Arterial-phase contrast-enhanced abdominal CT, axial slice 127 of 302 (counted from the lowest slice); tube voltage 100 kVp, convolution kernel I30f; slices 5.00 mm thick, 0.875 mm per pixel.
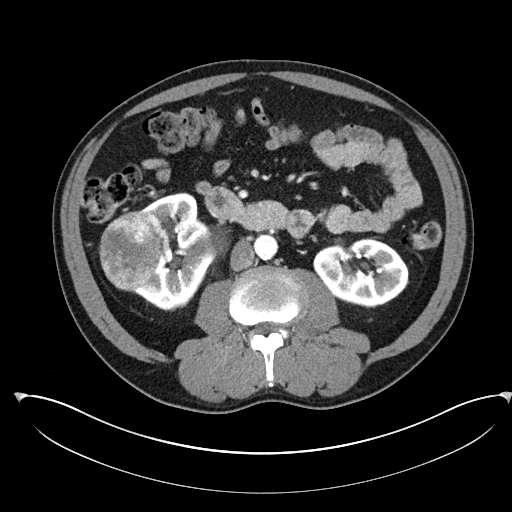
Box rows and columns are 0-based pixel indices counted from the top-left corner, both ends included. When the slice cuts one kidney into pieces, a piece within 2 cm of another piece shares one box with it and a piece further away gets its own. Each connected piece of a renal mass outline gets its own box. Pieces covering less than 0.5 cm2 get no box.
Boxed on this slice (two kidney boxes and one renal mass box), listed by box centre from the image's left to its right: (1) Box rows 211–291, columns 99–161: right renal mass (outlined area 3,856 px, about 29.5 cm2). (2) Right kidney, box rows 192–311, columns 132–225 (outlined area 6,206 px, about 47.5 cm2). (3) Left kidney, box rows 237–308, columns 313–408 (outlined area 4,933 px, about 37.8 cm2).